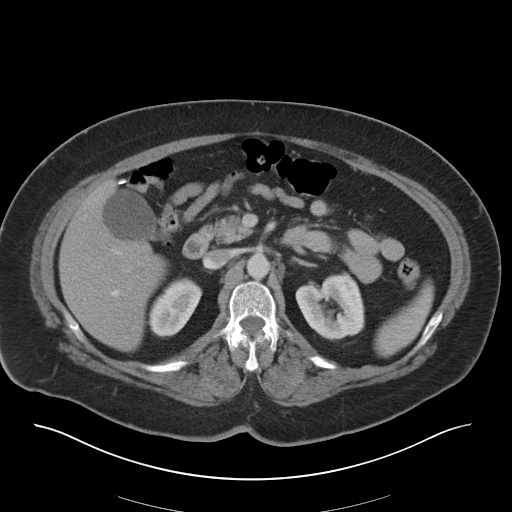
Arterial-phase contrast-enhanced abdominal CT, axial slice 22 of 36 (counted from the lowest slice); tube voltage 140 kVp, convolution kernel I30f; slices 5.00 mm thick, 0.906 mm per pixel.
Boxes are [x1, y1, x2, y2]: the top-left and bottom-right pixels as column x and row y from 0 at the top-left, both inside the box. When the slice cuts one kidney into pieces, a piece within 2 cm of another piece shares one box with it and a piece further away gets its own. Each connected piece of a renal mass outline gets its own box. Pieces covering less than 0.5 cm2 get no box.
Boxed on this slice (two kidney boxes), listed by box centre from the image's left to its right: (1) Right kidney, box [147, 277, 202, 337] (outlined area 2,177 px, about 17.9 cm2). (2) Box [295, 271, 364, 340]: left kidney (outlined area 3,481 px, about 28.6 cm2). This slice carries no renal mass outline.